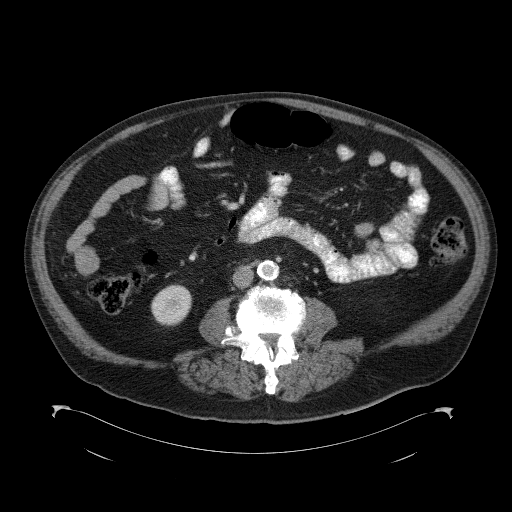
Axial slice 46 of 98 of a contrast-enhanced abdominal CT (slice 1 is the lowest), 120 kVp, kernel B41f; 5.00 mm slice thickness and 0.965 mm pixels.
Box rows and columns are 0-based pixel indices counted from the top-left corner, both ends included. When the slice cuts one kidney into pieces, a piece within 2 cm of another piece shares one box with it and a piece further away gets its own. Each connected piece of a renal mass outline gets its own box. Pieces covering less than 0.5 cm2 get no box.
Right kidney at rows 284–325, columns 151–192 (outlined area 1,327 px, about 12.4 cm2). This slice carries no renal mass outline.